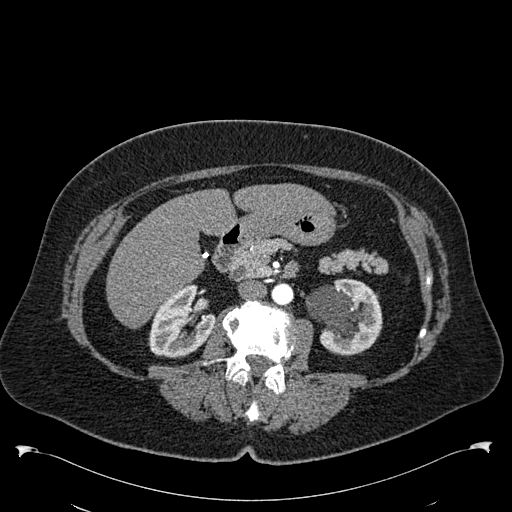
Axial slice 314 of 538 of a contrast-enhanced abdominal CT in the arterial phase (slice 1 is the lowest), 120 kVp, kernel B30f; 1.00 mm slice thickness and 0.811 mm pixels.
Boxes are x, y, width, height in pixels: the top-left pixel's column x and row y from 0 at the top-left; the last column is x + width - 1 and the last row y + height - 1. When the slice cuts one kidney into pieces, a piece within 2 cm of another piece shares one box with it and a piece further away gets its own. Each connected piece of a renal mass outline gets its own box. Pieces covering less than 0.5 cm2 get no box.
Boxed on this slice (two kidney boxes), listed by box centre from the image's left to its right: (1) Right kidney, box x 148, y 285, width 68, height 74 (outlined area 3,368 px, about 22.1 cm2). (2) Left kidney at x 306, y 278, width 77, height 77 (outlined area 4,326 px, about 28.4 cm2). This slice carries no renal mass outline.